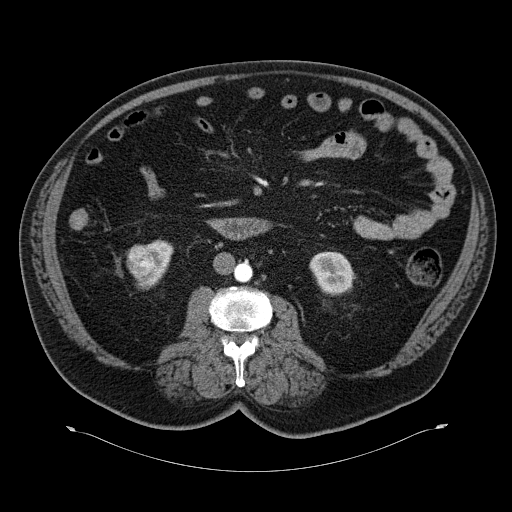
One axial slice (26 of 70, counting up from the lowest) of an arterial-phase abdominal CT acquired with 120 kVp, kernel B30f; each pixel is 0.977 mm and the slice is 5.00 mm thick.
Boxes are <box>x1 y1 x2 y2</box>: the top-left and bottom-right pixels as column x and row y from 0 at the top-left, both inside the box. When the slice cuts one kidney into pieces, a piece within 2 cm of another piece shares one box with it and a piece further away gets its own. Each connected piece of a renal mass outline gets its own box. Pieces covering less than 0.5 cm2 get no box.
Two kidney boxes and one renal mass box on this slice; by box centre, from the image's left to its right: (1) Right renal mass: <box>126 244 156 279</box> (outlined area 831 px, about 7.9 cm2). (2) Right kidney at <box>136 240 173 289</box> (outlined area 813 px, about 7.8 cm2). (3) At <box>309 251 355 295</box>: left kidney (outlined area 1,553 px, about 14.8 cm2).